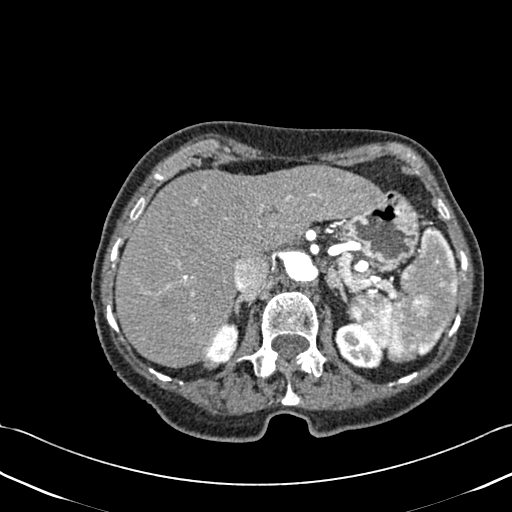
Abdominal CT with intravenous contrast, axial plane, 120 kVp, kernel B30f. Slice 330/433 from the bottom of the scan; thickness 1.00 mm; pixel size 0.672 mm.
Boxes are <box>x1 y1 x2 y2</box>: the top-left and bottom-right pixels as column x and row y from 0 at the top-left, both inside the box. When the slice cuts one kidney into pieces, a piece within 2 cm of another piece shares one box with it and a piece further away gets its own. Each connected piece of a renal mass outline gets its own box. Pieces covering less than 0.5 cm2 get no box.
Boxed on this slice (two kidney boxes), listed by box centre from the image's left to its right: (1) Right kidney: <box>203 322 238 370</box> (outlined area 1,058 px, about 4.8 cm2). (2) Left kidney: <box>335 321 383 368</box> (outlined area 1,605 px, about 7.2 cm2). No renal mass outline on this slice.